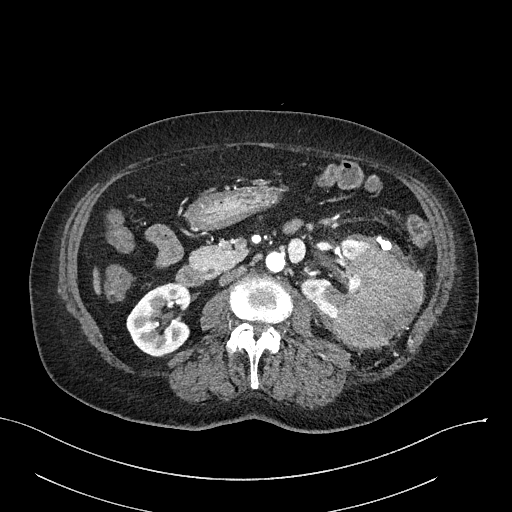
Axial slice 122 of 316 of a contrast-enhanced abdominal CT in the arterial phase (slice 1 is the lowest), 100 kVp, kernel I40f; 2.00 mm slice thickness and 0.840 mm pixels.
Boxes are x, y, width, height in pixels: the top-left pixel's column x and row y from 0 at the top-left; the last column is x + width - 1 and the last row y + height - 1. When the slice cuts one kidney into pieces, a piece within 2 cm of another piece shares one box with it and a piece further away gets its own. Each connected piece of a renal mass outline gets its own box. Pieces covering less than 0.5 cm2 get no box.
Two kidney boxes and one renal mass box on this slice; by box centre, from the image's left to its right: (1) Right kidney at x 126, y 282, width 65, height 75 (outlined area 3,466 px, about 24.4 cm2). (2) Left kidney at x 300, y 237, width 73, height 84 (outlined area 2,528 px, about 17.8 cm2). (3) Left renal mass at x 334, y 242, width 91, height 107 (outlined area 6,611 px, about 46.6 cm2).